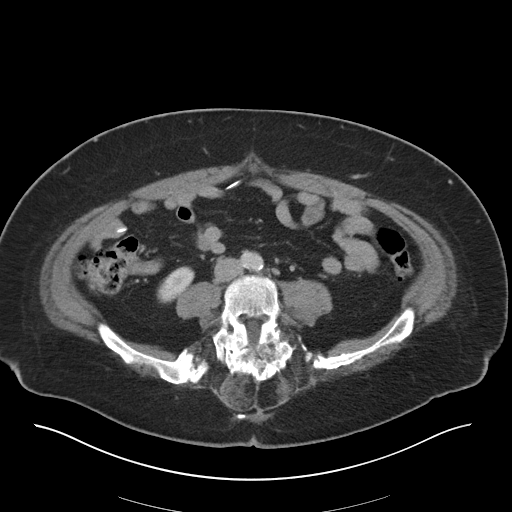
Axial slice 2 of 36 of a contrast-enhanced abdominal CT in the arterial phase (slice 1 is the lowest), 140 kVp, kernel I30f; 5.00 mm slice thickness and 0.906 mm pixels.
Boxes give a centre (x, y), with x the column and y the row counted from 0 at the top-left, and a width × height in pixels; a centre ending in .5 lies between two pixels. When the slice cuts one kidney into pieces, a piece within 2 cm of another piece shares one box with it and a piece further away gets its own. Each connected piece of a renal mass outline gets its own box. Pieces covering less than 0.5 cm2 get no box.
Right kidney, box centre (175, 284.5), 39 × 38 pixels (outlined area 921 px, about 7.6 cm2). This slice carries no renal mass outline.